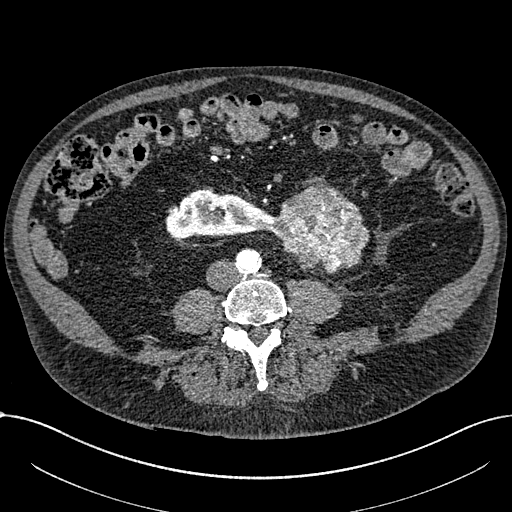
One axial slice (249 of 1059, counting up from the lowest) of an arterial-phase abdominal CT acquired with 100 kVp, kernel I30f; each pixel is 0.811 mm and the slice is 1.00 mm thick.
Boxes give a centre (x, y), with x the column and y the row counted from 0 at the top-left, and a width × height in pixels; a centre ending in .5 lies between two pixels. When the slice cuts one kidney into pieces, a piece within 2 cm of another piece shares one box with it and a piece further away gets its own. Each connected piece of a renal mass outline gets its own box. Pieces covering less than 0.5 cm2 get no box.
One kidney box and one renal mass box on this slice; by box centre, from the image's left to its right: (1) Right part of the midline-crossing kidney in a box with centre (218.5, 213.5), 108 × 52 pixels (outlined area 3,819 px, about 25.1 cm2). (2) Renal mass, box centre (320, 227), 99 × 93 pixels (outlined area 6,233 px, about 40.9 cm2).